Axial slice 331 of 665 of a contrast-enhanced abdominal CT in the arterial phase (slice 1 is the lowest), 100 kVp, kernel I26f; 1.00 mm slice thickness and 0.828 mm pixels.
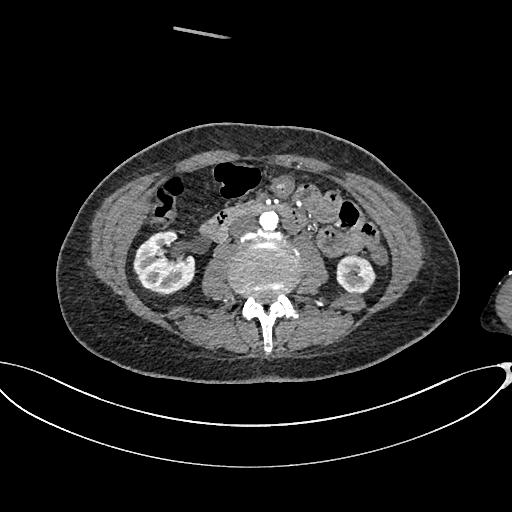
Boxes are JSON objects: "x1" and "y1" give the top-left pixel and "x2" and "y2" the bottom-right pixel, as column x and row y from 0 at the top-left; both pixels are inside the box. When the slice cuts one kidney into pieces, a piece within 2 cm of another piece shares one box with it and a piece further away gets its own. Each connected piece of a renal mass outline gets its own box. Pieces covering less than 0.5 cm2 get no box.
Boxed on this slice (two kidney boxes), listed by box centre from the image's left to its right: (1) Right kidney, box {"x1": 133, "y1": 230, "x2": 195, "y2": 295} (outlined area 3,016 px, about 20.7 cm2). (2) Left kidney at {"x1": 336, "y1": 255, "x2": 376, "y2": 293} (outlined area 1,212 px, about 8.3 cm2). No renal mass is outlined on this slice.